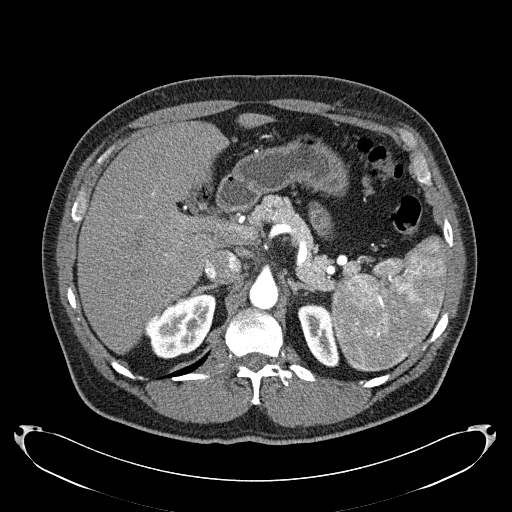
Abdominal CT with intravenous contrast, arterial phase, axial plane, 120 kVp, kernel B31f. Slice 161/279 from the bottom of the scan; thickness 2.00 mm; pixel size 0.824 mm.
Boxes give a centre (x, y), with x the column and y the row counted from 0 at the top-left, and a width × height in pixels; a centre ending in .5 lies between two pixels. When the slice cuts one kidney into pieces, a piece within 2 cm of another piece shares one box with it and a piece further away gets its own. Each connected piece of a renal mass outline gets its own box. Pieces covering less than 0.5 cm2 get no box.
Two kidney boxes on this slice; by box centre, from the image's left to its right: (1) Right kidney in a box with centre (179, 326.5), 75 × 64 pixels (outlined area 3,234 px, about 22.0 cm2). (2) Left kidney in a box with centre (318, 335), 43 × 65 pixels (outlined area 1,793 px, about 12.2 cm2). No renal mass outline on this slice.